One axial slice (129 of 301, counting up from the lowest) of a contrast-enhanced abdominal CT acquired with 120 kVp, kernel I40f; each pixel is 0.859 mm and the slice is 2.00 mm thick.
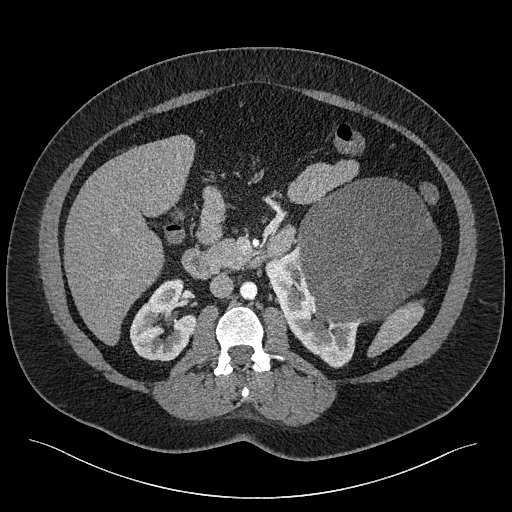
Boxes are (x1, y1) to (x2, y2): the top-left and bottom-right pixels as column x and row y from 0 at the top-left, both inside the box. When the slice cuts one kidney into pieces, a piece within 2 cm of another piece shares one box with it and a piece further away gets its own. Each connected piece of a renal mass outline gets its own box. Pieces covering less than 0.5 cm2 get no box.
Boxed on this slice (two kidney boxes and one renal mass box), listed by box centre from the image's left to its right: (1) Right kidney, box (130, 278) to (196, 361) (outlined area 3,726 px, about 27.5 cm2). (2) Box (265, 244) to (359, 368): left kidney (outlined area 4,586 px, about 33.9 cm2). (3) Box (296, 177) to (440, 325): left renal mass (outlined area 15,961 px, about 117.9 cm2).